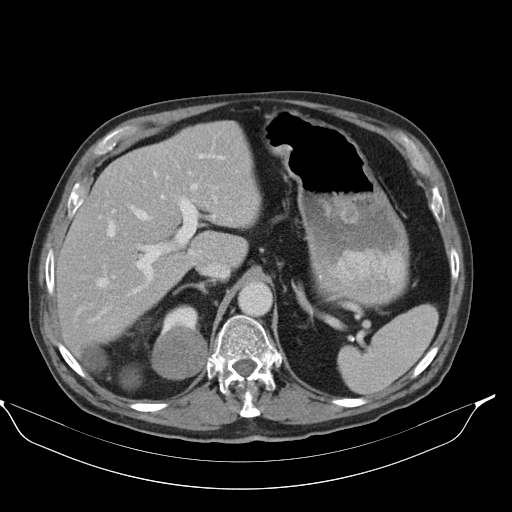
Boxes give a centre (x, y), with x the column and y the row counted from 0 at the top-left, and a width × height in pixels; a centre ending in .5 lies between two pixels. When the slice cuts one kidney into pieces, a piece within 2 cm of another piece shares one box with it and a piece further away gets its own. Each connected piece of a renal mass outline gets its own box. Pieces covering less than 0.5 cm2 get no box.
Contrast-enhanced abdominal CT, axial slice 72 of 98 (counted from the lowest slice); 5.00 mm thick, 0.840 mm per pixel. Four boxes on this slice (one kidney box and three renal mass boxes), listed by box centre from the image's left to its right. (1) Right renal mass, box centre (94, 358.5), 27 × 28 pixels (outlined area 575 px, about 4.1 cm2); it sits over 1 cm from every kidney outline on this slice, but the same outlined renal mass comes within 1 cm of the kidney on another slice. (2) Right renal mass in a box with centre (130, 378), 21 × 23 pixels (outlined area 368 px, about 2.6 cm2); on this slice it lies more than 1 cm from any kidney outline, but the same outlined renal mass comes within 1 cm of the kidney on another slice. (3) Box centre (178.5, 319), 38 × 31 pixels: right kidney (outlined area 739 px, about 5.2 cm2). (4) Right renal mass, box centre (178.5, 354), 58 × 53 pixels (outlined area 2,424 px, about 17.1 cm2).
Tube voltage 130 kVp; convolution kernel B30s.